Arterial-phase contrast-enhanced abdominal CT, axial slice 534 of 673 (counted from the lowest slice); tube voltage 140 kVp, convolution kernel I30f; slices 1.00 mm thick, 0.957 mm per pixel.
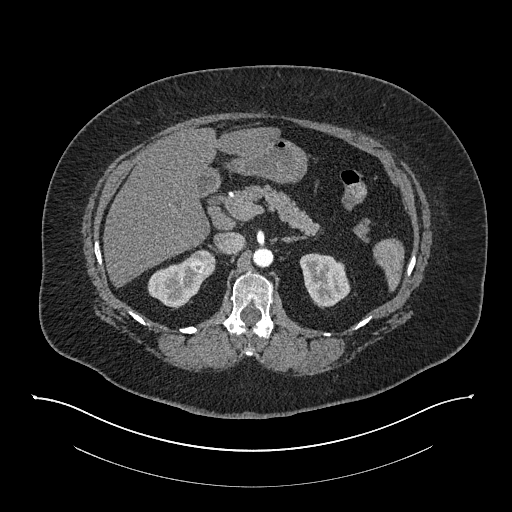
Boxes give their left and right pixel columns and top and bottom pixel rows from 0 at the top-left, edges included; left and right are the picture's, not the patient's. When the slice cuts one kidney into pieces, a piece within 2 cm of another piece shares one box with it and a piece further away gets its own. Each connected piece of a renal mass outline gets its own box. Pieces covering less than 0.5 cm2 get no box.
Three boxes on this slice (two kidney boxes and one renal mass box), listed by box centre from the image's left to its right. (1) Box with left 147, top 256, right 213, bottom 308: right kidney (outlined area 1,873 px, about 17.2 cm2). (2) Right renal mass in the box with left 189, top 249, right 216, bottom 274 (outlined area 538 px, about 4.9 cm2). (3) Box with left 299, top 253, right 350, bottom 308: left kidney (outlined area 2,059 px, about 18.9 cm2).